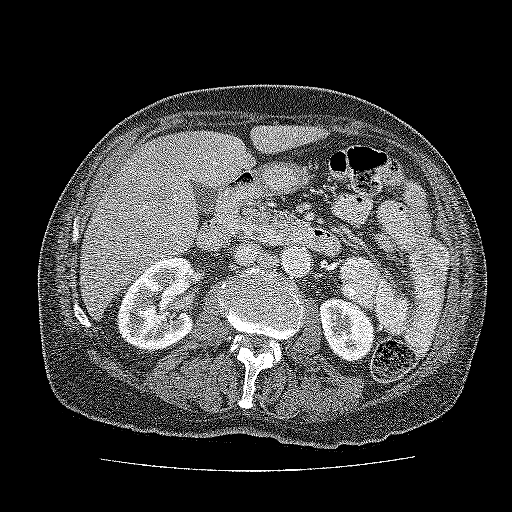
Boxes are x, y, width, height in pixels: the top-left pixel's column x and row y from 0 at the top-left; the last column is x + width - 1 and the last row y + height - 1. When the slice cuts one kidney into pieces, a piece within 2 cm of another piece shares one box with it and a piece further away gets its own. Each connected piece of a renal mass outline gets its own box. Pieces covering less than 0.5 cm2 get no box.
This is axial slice 92 of 137 (slice 1 is the lowest) of an abdominal CT with contrast; each pixel is 0.741 mm and the slice is 3.00 mm thick. Boxed on this slice (two kidney boxes), listed by box centre from the image's left to its right: (1) Kidney at x 116, y 257, width 78, height 96 (outlined area 5,705 px, about 31.3 cm2). (2) Kidney at x 319, y 297, width 58, height 66 (outlined area 2,731 px, about 15.0 cm2). No renal mass is outlined on this slice.
Tube voltage 120 kVp; convolution kernel FC52.